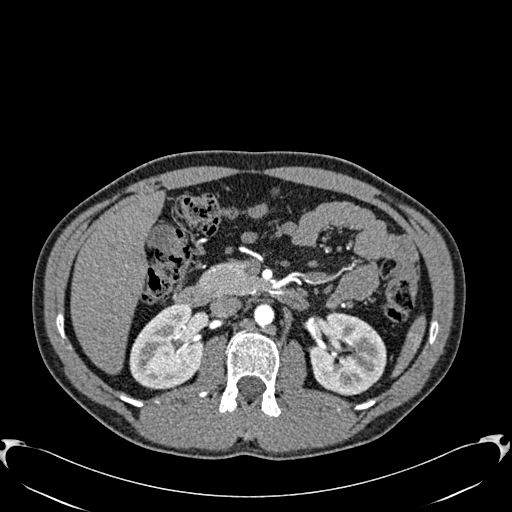
Arterial-phase contrast-enhanced abdominal CT, axial slice 363 of 512 (counted from the lowest slice); tube voltage 120 kVp, convolution kernel B30f; slices 1.00 mm thick, 0.771 mm per pixel.
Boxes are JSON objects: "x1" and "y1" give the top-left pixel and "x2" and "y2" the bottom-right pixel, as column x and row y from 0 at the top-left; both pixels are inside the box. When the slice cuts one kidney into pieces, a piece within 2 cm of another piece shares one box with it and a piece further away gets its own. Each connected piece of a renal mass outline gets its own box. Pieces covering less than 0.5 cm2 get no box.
Two kidney boxes on this slice; by box centre, from the image's left to its right: (1) Right kidney at {"x1": 129, "y1": 305, "x2": 204, "y2": 389} (outlined area 4,741 px, about 28.2 cm2). (2) Left kidney at {"x1": 310, "y1": 313, "x2": 386, "y2": 395} (outlined area 4,814 px, about 28.7 cm2). No renal mass is outlined on this slice.